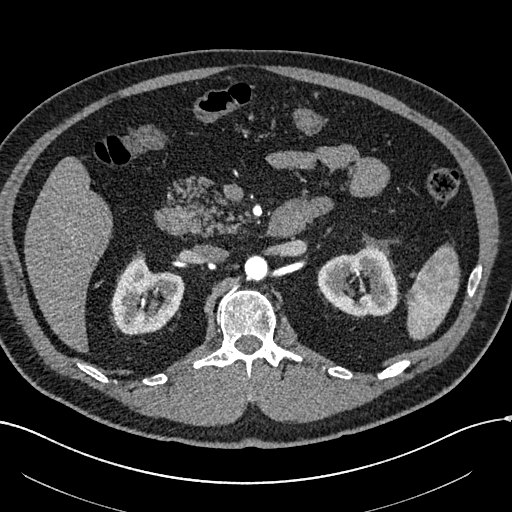
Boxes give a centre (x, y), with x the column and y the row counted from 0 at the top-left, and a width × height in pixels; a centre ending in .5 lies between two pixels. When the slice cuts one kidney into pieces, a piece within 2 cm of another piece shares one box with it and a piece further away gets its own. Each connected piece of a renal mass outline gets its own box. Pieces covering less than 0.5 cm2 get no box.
Arterial-phase contrast-enhanced abdominal CT, axial slice 376 of 602 (counted from the lowest slice); 1.00 mm thick, 0.799 mm per pixel. Two boxes on this slice (two kidney boxes), listed by box centre from the image's left to its right. (1) Right kidney, box centre (147, 294), 73 × 81 pixels (outlined area 4,015 px, about 25.6 cm2). (2) Left kidney, box centre (357, 280.5), 81 × 72 pixels (outlined area 4,169 px, about 26.6 cm2). No renal mass outline on this slice.
Scan settings: 120 kVp, I30f reconstruction kernel.